Arterial-phase contrast-enhanced abdominal CT, axial slice 8 of 61 (counted from the lowest slice); tube voltage 140 kVp, convolution kernel I41f; slices 3.00 mm thick, 0.947 mm per pixel.
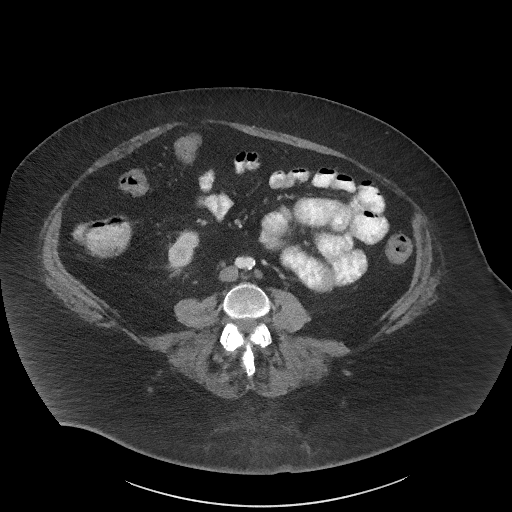
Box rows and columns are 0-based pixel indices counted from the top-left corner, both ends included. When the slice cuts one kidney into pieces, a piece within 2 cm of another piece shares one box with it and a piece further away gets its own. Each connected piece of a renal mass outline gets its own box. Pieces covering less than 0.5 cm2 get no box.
Right kidney, box rows 229–272, columns 166–199 (outlined area 949 px, about 8.5 cm2). No renal mass outline on this slice.